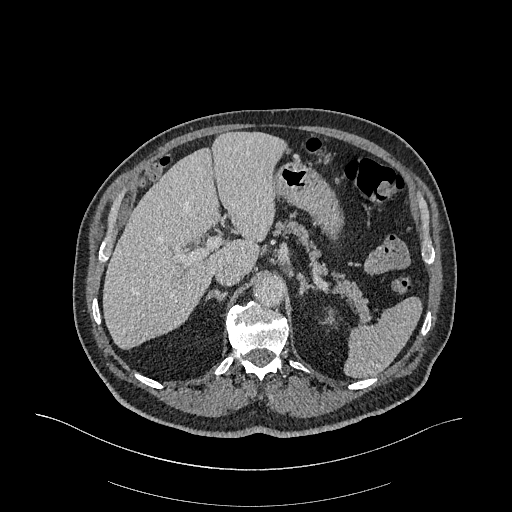
Abdominal CT with intravenous contrast, arterial phase, axial plane, 120 kVp, kernel I26f. Slice 261/470 from the bottom of the scan; thickness 1.00 mm; pixel size 0.938 mm.
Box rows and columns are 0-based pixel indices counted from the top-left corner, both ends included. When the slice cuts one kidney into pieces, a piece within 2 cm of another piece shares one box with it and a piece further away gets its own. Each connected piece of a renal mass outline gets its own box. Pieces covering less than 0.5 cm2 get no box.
Left kidney at rows 308–328, columns 320–337 (outlined area 172 px, about 1.5 cm2). No renal mass outline on this slice.